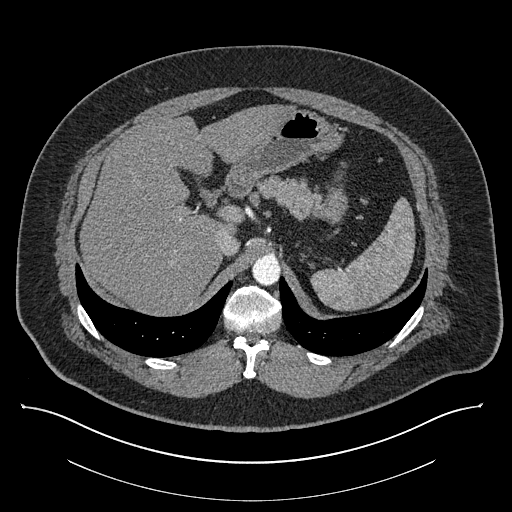
Axial slice 623 of 787 of a contrast-enhanced abdominal CT (slice 1 is the lowest), 140 kVp, kernel I30f; 1.00 mm slice thickness and 0.910 mm pixels.
Neither a kidney nor a renal mass is outlined here. Only kidneys and renal masses are outlined anywhere in this scan; other structures are never outlined.